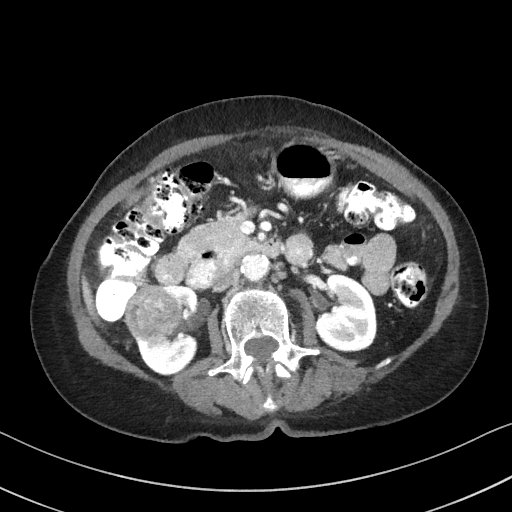
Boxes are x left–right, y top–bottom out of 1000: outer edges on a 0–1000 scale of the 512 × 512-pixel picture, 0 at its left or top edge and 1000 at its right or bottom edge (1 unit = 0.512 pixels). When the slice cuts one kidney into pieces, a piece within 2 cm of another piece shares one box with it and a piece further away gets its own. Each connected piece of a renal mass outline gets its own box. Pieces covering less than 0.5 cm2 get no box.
Slice 54/92 of a contrast-enhanced abdominal CT, counting up from the lowest; pixel size 0.684 mm, slice thickness 3.00 mm. Boxed on this slice (two kidney boxes and one renal mass box), listed by box centre from the image's left to its right: (1) Right renal mass at x 242–354, y 557–668 out of 1000 (outlined area 2,513 px, about 11.7 cm2). (2) Right kidney at x 264–389, y 559–734 out of 1000 (outlined area 2,872 px, about 13.4 cm2). (3) Left kidney at x 613–738, y 535–689 out of 1000 (outlined area 3,793 px, about 17.7 cm2).
Scan settings: 100 kVp, I41f reconstruction kernel.